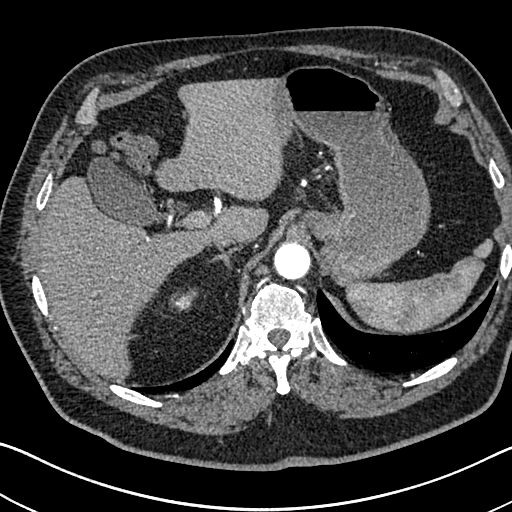
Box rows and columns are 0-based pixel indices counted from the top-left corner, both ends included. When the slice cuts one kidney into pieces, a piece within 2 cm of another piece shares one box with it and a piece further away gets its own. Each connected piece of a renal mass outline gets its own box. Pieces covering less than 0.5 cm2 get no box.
Arterial-phase contrast-enhanced abdominal CT, axial slice 561 of 705 (counted from the lowest slice); 1.00 mm thick, 0.703 mm per pixel. Right kidney at rows 288–311, columns 170–197 (outlined area 414 px, about 2.0 cm2). No renal mass is outlined on this slice.
Tube voltage 120 kVp; convolution kernel I30f.